Arterial-phase contrast-enhanced abdominal CT, axial slice 149 of 302 (counted from the lowest slice); tube voltage 100 kVp, convolution kernel I30f; slices 5.00 mm thick, 0.875 mm per pixel.
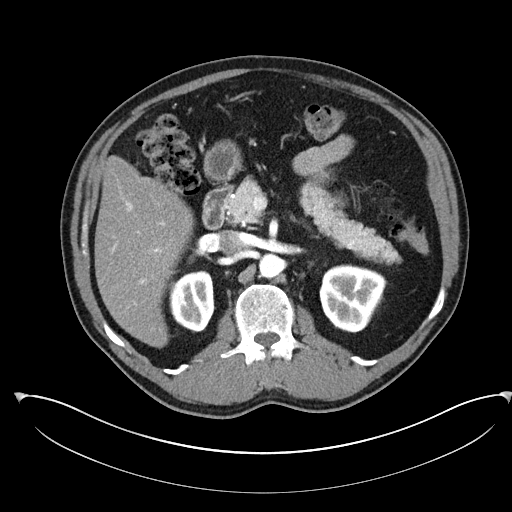
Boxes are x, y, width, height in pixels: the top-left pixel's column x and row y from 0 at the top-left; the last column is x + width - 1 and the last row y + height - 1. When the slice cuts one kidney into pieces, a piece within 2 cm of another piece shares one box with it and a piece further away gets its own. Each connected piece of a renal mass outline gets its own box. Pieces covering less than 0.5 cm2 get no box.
Two kidney boxes on this slice; by box centre, from the image's left to its right: (1) Box x 168, y 270, width 48, height 63: right kidney (outlined area 2,310 px, about 17.7 cm2). (2) Box x 319, y 264, width 69, height 69: left kidney (outlined area 3,509 px, about 26.9 cm2). No renal mass outline on this slice.